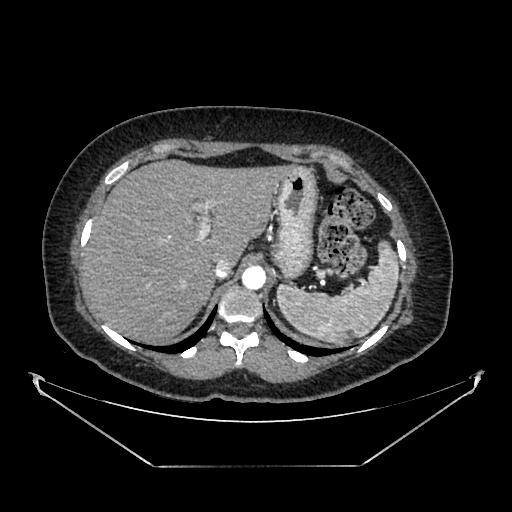
Arterial-phase contrast-enhanced abdominal CT, axial slice 287 of 383 (counted from the lowest slice); 1.25 mm thick, 0.898 mm per pixel. Outside the outlined region: no kidney outline and no renal mass outline on this slice. The scan's outlines cover only kidneys and renal masses; no other organ is outlined.
Acquired at 100 kVp and reconstructed with the SOFT kernel.